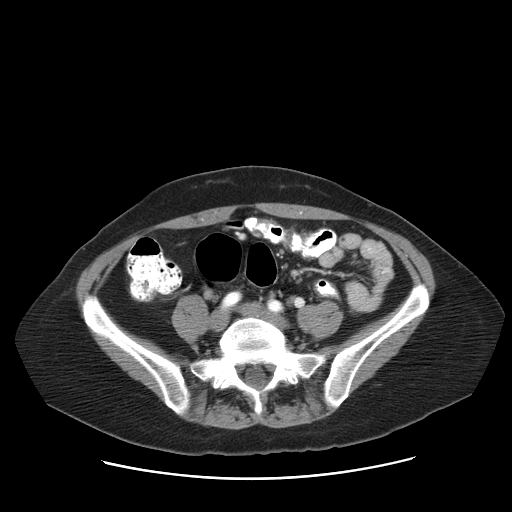
Arterial-phase contrast-enhanced abdominal CT, axial slice 33 of 83 (counted from the lowest slice); 5.00 mm thick, 0.775 mm per pixel. No kidney and no renal mass is outlined on this slice; the outlines in this scan cover only the kidneys and the renal masses, so nothing is said about any other organ.
Acquired at 120 kVp and reconstructed with the STANDARD kernel.